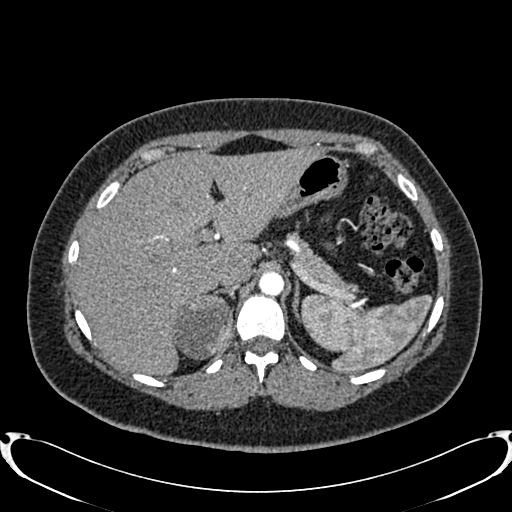
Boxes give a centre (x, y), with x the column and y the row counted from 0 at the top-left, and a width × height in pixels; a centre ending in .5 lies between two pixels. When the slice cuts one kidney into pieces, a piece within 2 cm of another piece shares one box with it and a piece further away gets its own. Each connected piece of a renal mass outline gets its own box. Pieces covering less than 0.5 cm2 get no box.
Slice 607/719 of a contrast-enhanced abdominal CT in the arterial phase, counting up from the lowest; pixel size 0.766 mm, slice thickness 1.00 mm. Right renal mass, box centre (201.5, 326), 62 × 67 pixels (outlined area 3,177 px, about 18.6 cm2); no kidney outline appears on this slice, but the same outlined renal mass comes within 1 cm of the kidney on another slice.
Acquired at 120 kVp and reconstructed with the B20f kernel.